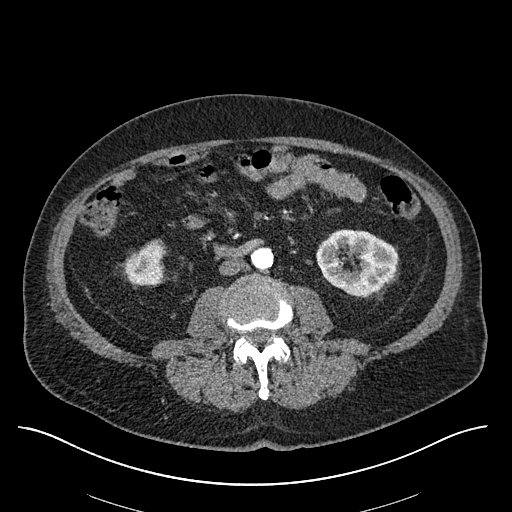
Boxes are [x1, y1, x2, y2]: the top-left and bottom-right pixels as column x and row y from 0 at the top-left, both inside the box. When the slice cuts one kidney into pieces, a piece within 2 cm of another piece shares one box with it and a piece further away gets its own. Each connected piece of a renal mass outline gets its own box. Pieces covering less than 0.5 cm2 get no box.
This is axial slice 256 of 670 (slice 1 is the lowest) of an arterial-phase abdominal CT with contrast; each pixel is 0.861 mm and the slice is 1.00 mm thick. Two kidney boxes on this slice; by box centre, from the image's left to its right: (1) Box [123, 239, 165, 285]: right kidney (outlined area 1,494 px, about 11.1 cm2). (2) Left kidney at [316, 229, 397, 296] (outlined area 4,114 px, about 30.5 cm2). This slice carries no renal mass outline.
Scan settings: 120 kVp, I30f reconstruction kernel.